Axial slice 316 of 683 of a contrast-enhanced abdominal CT in the arterial phase (slice 1 is the lowest), 120 kVp, kernel I30f; 1.00 mm slice thickness and 0.738 mm pixels.
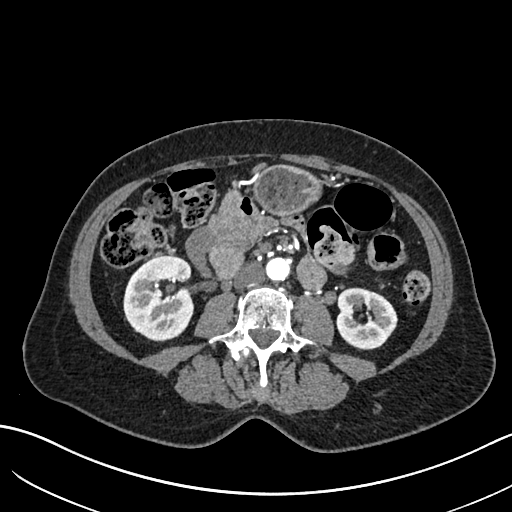
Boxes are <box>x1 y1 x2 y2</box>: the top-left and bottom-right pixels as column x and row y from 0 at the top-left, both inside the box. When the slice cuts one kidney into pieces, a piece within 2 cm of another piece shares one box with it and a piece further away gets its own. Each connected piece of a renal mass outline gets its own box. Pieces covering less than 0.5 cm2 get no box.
Two kidney boxes on this slice; by box centre, from the image's left to its right: (1) At <box>123 255 194 341</box>: right kidney (outlined area 4,822 px, about 26.3 cm2). (2) Left kidney: <box>337 287 397 349</box> (outlined area 2,895 px, about 15.8 cm2). No renal mass outline on this slice.